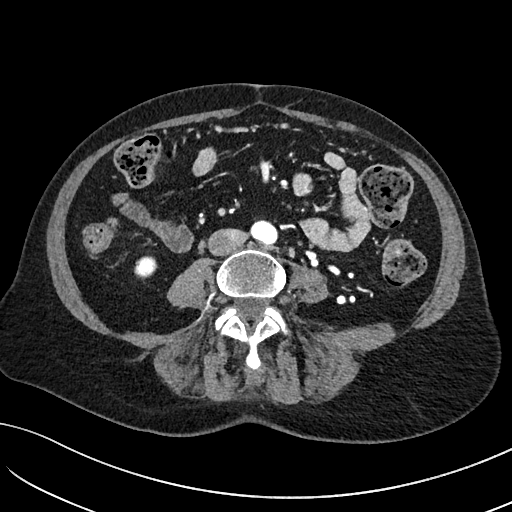
One axial slice (3 of 234, counting up from the lowest) of an arterial-phase abdominal CT acquired with 100 kVp, kernel I40f; each pixel is 0.699 mm and the slice is 2.00 mm thick.
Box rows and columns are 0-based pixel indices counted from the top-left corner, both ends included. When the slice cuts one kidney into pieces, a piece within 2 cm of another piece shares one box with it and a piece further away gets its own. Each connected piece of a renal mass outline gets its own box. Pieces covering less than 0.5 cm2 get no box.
Right kidney at rows 256–277, columns 134–157 (outlined area 410 px, about 2.0 cm2). No renal mass outline on this slice.